Abdominal CT with intravenous contrast, arterial phase, axial plane, 100 kVp, kernel I26f. Slice 473/665 from the bottom of the scan; thickness 1.00 mm; pixel size 0.828 mm.
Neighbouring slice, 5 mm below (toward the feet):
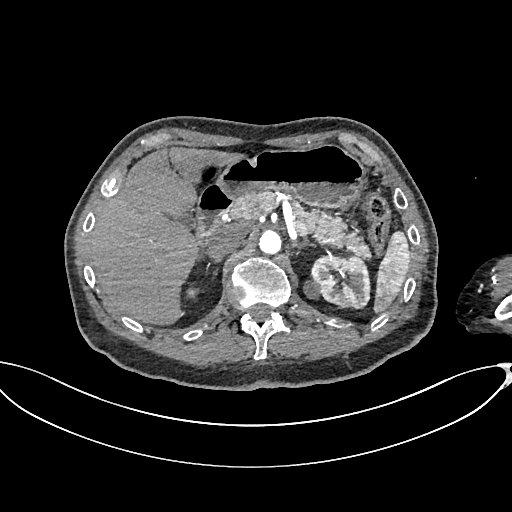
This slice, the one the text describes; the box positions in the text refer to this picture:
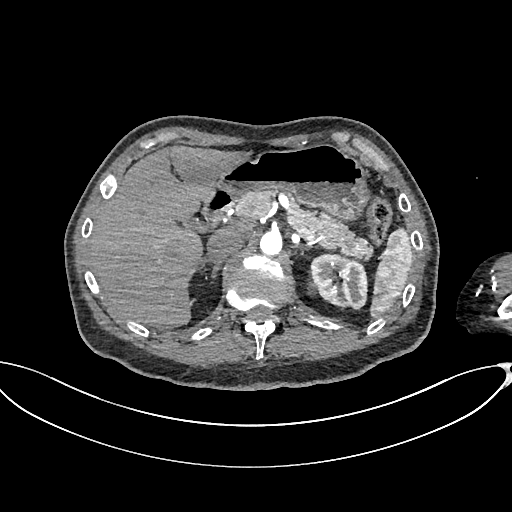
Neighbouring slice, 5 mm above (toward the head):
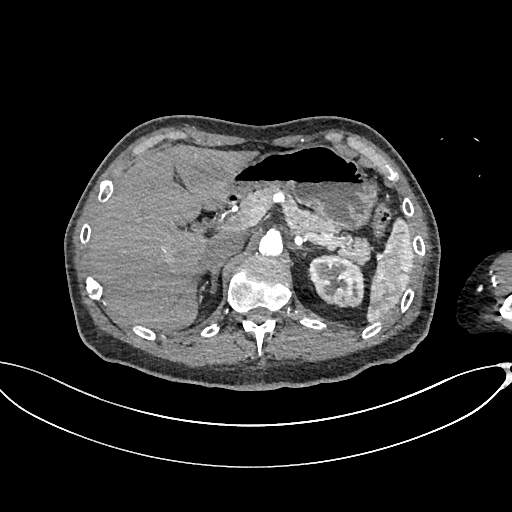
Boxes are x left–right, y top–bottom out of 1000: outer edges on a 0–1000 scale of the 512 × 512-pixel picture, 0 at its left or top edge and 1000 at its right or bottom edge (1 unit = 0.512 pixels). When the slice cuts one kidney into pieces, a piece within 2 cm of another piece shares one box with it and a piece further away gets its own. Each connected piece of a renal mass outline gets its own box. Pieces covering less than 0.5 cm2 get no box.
Boxed on this slice (one kidney box and one renal mass box), listed by box centre from the image's left to its right: (1) Left renal mass, box x 600–621, y 547–576 out of 1000 (outlined area 117 px, about 0.8 cm2). (2) Box x 605–717, y 494–604 out of 1000: left kidney (outlined area 2,452 px, about 16.8 cm2). This slice lies near the end of the left renal mass toward the head; the slices 5 mm below and 5 mm above it are shown too, and the boxes mark positions on this slice only.